One axial slice (236 of 548, counting up from the lowest) of an arterial-phase abdominal CT acquired with 120 kVp, kernel I26f; each pixel is 0.852 mm and the slice is 1.00 mm thick.
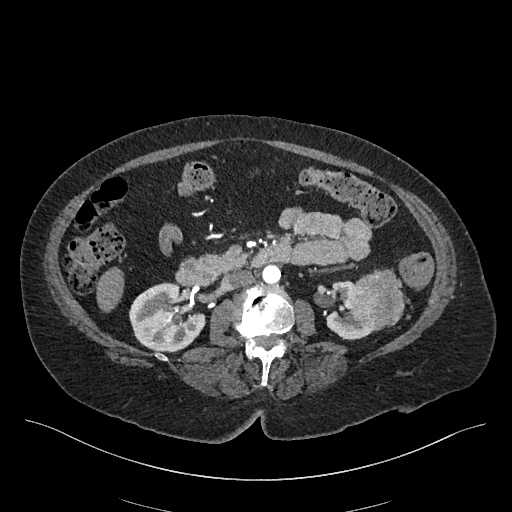
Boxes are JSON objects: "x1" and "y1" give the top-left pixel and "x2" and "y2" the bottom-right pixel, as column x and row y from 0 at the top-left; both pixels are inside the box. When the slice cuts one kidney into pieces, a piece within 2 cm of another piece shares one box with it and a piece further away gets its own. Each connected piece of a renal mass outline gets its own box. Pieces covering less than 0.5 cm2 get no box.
Two kidney boxes and one renal mass box on this slice; by box centre, from the image's left to its right: (1) Right kidney, box {"x1": 129, "y1": 282, "x2": 205, "y2": 352} (outlined area 3,917 px, about 28.4 cm2). (2) Left kidney, box {"x1": 325, "y1": 280, "x2": 378, "y2": 340} (outlined area 1,553 px, about 11.3 cm2). (3) Left renal mass, box {"x1": 350, "y1": 269, "x2": 404, "y2": 329} (outlined area 2,548 px, about 18.5 cm2).